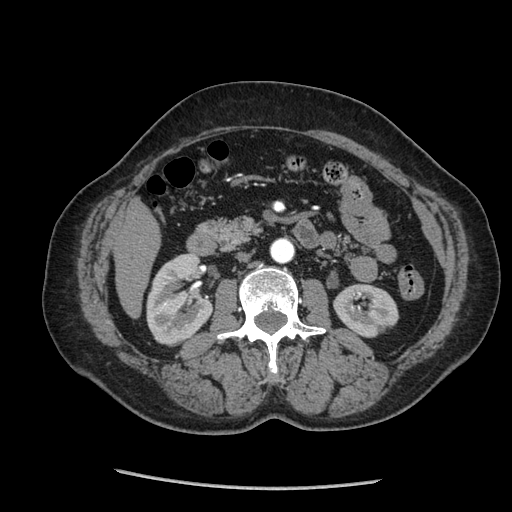
Abdominal CT with intravenous contrast, arterial phase, axial plane, 120 kVp, kernel STANDARD. Slice 114/233 from the bottom of the scan; thickness 1.25 mm; pixel size 0.703 mm.
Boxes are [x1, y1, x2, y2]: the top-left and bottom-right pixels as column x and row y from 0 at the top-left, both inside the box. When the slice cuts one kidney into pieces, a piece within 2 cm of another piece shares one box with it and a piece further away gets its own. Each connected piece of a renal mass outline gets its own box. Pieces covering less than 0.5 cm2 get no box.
Boxed on this slice (two kidney boxes), listed by box centre from the image's left to its right: (1) Right kidney, box [146, 252, 214, 346] (outlined area 4,566 px, about 22.6 cm2). (2) Left kidney at [333, 283, 399, 337] (outlined area 2,636 px, about 13.0 cm2). No renal mass is outlined on this slice.